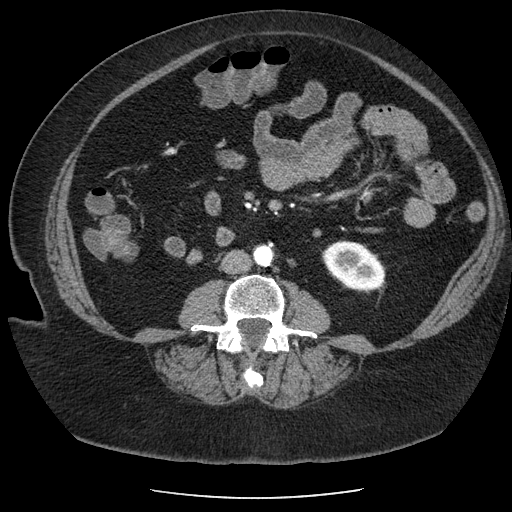
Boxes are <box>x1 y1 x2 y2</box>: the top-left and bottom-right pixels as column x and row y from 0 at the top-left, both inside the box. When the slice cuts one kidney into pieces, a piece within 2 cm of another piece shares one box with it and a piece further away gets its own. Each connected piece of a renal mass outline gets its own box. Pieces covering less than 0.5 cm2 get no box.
This is axial slice 101 of 186 (slice 1 is the lowest) of an arterial-phase abdominal CT with contrast; each pixel is 0.742 mm and the slice is 2.50 mm thick. At <box>321 240 385 290</box>: left kidney (outlined area 2,430 px, about 13.4 cm2). No renal mass outline on this slice.
Acquired at 120 kVp and reconstructed with the STANDARD kernel.